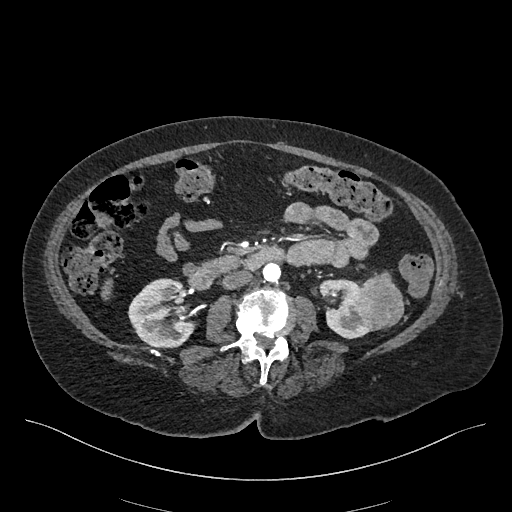
Abdominal CT with intravenous contrast, arterial phase, axial plane, 120 kVp, kernel I26f. Slice 223/548 from the bottom of the scan; thickness 1.00 mm; pixel size 0.852 mm.
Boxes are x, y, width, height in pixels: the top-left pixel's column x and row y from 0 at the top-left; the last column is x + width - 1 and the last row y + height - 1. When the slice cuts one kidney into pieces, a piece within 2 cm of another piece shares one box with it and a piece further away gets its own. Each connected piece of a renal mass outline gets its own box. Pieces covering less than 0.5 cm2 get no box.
Two kidney boxes and one renal mass box on this slice; by box centre, from the image's left to its right: (1) Box x 128, y 278, width 69, height 71: right kidney (outlined area 3,541 px, about 25.7 cm2). (2) Left kidney at x 318, y 278, width 53, height 61 (outlined area 1,977 px, about 14.3 cm2). (3) Left renal mass at x 354, y 270, width 51, height 61 (outlined area 2,181 px, about 15.8 cm2).